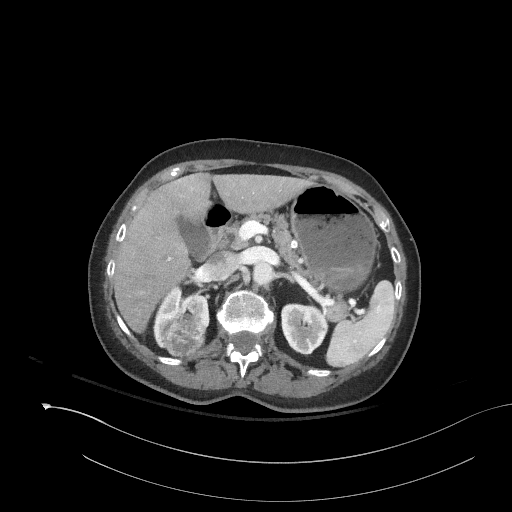
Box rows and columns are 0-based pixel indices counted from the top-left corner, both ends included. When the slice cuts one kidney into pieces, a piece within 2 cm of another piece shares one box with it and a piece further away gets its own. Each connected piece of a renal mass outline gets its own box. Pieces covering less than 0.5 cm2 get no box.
Contrast-enhanced abdominal CT, axial slice 109 of 153 (counted from the lowest slice); 3.00 mm thick, 0.893 mm per pixel. Boxed on this slice (two kidney boxes and one renal mass box), listed by box centre from the image's left to its right: (1) Box rows 285–347, columns 154–208: right kidney (outlined area 1,572 px, about 12.5 cm2). (2) Right renal mass, box rows 314–355, columns 163–205 (outlined area 1,367 px, about 10.9 cm2). (3) Left kidney, box rows 303–355, columns 281–328 (outlined area 1,949 px, about 15.5 cm2).
Tube voltage 120 kVp; convolution kernel I41f.